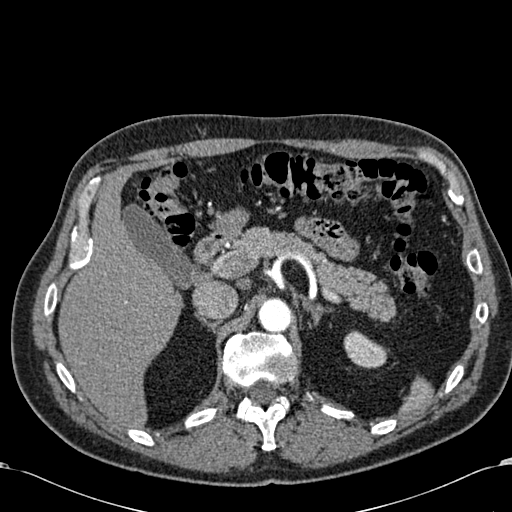
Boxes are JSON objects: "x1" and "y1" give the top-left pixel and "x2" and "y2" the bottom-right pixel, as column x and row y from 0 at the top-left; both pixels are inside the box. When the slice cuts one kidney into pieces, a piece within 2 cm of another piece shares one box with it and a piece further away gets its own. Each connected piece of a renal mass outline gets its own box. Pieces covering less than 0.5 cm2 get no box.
This is axial slice 444 of 581 (slice 1 is the lowest) of an arterial-phase abdominal CT with contrast; each pixel is 0.713 mm and the slice is 1.00 mm thick. Left kidney at {"x1": 343, "y1": 330, "x2": 387, "y2": 368} (outlined area 1,159 px, about 5.9 cm2). No renal mass is outlined on this slice.
Acquired at 120 kVp and reconstructed with the B30f kernel.